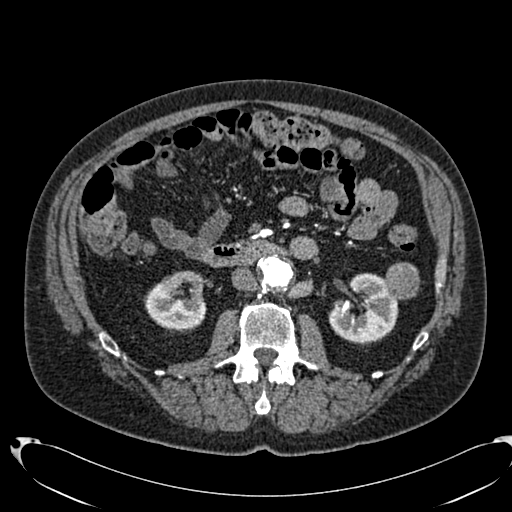
Axial slice 386 of 553 of a contrast-enhanced abdominal CT in the arterial phase (slice 1 is the lowest), 120 kVp, kernel B20f; 1.00 mm slice thickness and 0.773 mm pixels.
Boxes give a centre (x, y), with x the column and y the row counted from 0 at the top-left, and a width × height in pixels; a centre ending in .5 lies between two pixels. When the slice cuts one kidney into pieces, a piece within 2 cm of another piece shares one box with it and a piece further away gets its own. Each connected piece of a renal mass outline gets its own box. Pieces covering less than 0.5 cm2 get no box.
Boxed on this slice (two kidney boxes and one renal mass box), listed by box centre from the image's left to its right: (1) Box centre (175, 301), 63 × 63 pixels: right kidney (outlined area 2,845 px, about 17.0 cm2). (2) Box centre (363, 308.5), 71 × 72 pixels: left kidney (outlined area 3,483 px, about 20.8 cm2). (3) Box centre (401, 280.5), 37 × 38 pixels: left renal mass (outlined area 1,107 px, about 6.6 cm2).